Contrast-enhanced abdominal CT, axial slice 68 of 143 (counted from the lowest slice); tube voltage 100 kVp, convolution kernel I41f; slices 5.00 mm thick, 0.734 mm per pixel.
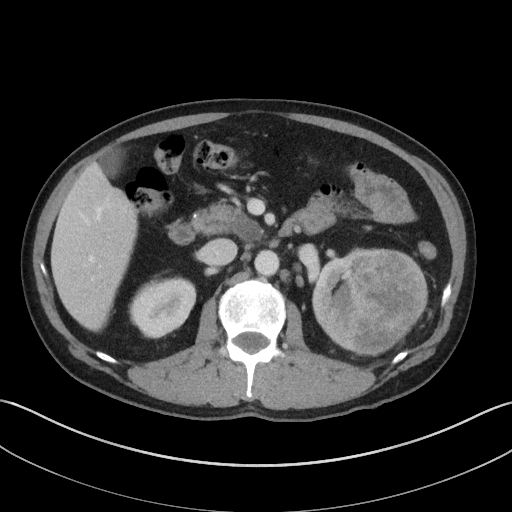
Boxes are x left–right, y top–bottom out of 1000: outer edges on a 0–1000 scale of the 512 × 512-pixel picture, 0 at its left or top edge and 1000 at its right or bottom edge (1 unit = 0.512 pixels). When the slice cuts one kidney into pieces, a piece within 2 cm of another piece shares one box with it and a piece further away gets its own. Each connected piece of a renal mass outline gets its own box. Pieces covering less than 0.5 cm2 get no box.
Boxed on this slice (two kidney boxes and one renal mass box), listed by box centre from the image's left to its right: (1) Right kidney at x 250–385, y 539–664 out of 1000 (outlined area 3,160 px, about 17.0 cm2). (2) Left kidney at x 609–691, y 502–680 out of 1000 (outlined area 2,414 px, about 13.0 cm2). (3) Left renal mass at x 668–838, y 482–697 out of 1000 (outlined area 7,279 px, about 39.3 cm2).